Axial slice 79 of 117 of a contrast-enhanced abdominal CT in the arterial phase (slice 1 is the lowest), 120 kVp, kernel FC12; 3.00 mm slice thickness and 0.518 mm pixels.
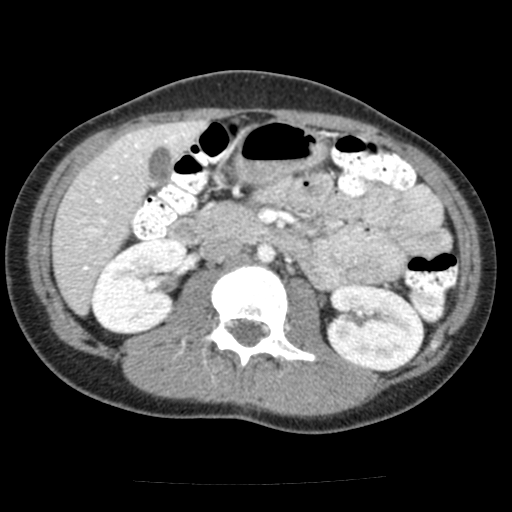
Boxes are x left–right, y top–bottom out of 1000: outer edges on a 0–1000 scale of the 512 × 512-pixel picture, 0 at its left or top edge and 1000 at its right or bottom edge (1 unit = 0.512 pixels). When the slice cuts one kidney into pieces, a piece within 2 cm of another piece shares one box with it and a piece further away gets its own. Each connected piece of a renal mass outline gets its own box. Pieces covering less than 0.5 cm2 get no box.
Two boxes on this slice (two kidney boxes), listed by box centre from the image's left to its right. (1) Box x 178–369, y 463–656 out of 1000: right kidney (outlined area 6,947 px, about 18.6 cm2). (2) Box x 635–832, y 553–729 out of 1000: left kidney (outlined area 6,712 px, about 18.0 cm2).